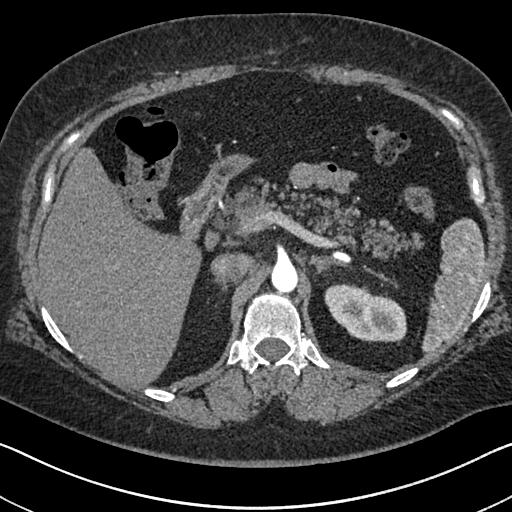
One axial slice (483 of 591, counting up from the lowest) of an arterial-phase abdominal CT acquired with 140 kVp, kernel I30f; each pixel is 0.703 mm and the slice is 1.00 mm thick.
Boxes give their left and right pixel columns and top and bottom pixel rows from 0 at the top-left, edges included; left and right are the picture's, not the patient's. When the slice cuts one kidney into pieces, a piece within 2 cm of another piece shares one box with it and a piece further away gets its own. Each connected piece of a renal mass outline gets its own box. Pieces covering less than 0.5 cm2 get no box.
Box with left 324, top 283, right 406, bottom 343: left kidney (outlined area 3,504 px, about 17.3 cm2). No renal mass is outlined on this slice.